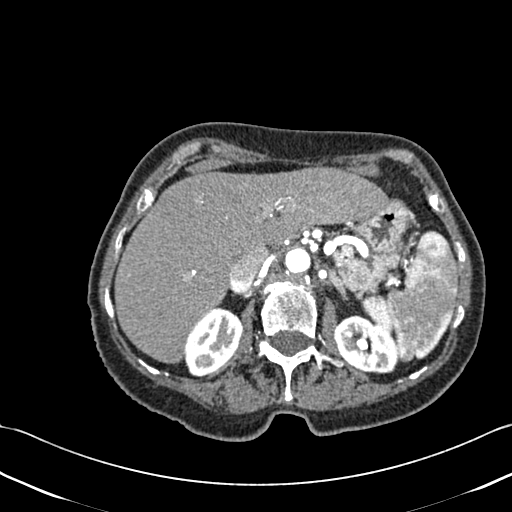
Abdominal CT with intravenous contrast, axial plane, 120 kVp, kernel B30f. Slice 311/433 from the bottom of the scan; thickness 1.00 mm; pixel size 0.672 mm.
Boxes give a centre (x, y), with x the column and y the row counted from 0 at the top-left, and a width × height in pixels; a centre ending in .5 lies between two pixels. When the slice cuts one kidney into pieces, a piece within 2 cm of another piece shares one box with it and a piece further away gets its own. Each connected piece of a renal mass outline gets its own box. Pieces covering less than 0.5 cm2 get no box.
Boxed on this slice (two kidney boxes), listed by box centre from the image's left to its right: (1) Right kidney, box centre (213.5, 341.5), 60 × 72 pixels (outlined area 2,923 px, about 13.2 cm2). (2) Left kidney, box centre (366, 344), 65 × 59 pixels (outlined area 2,796 px, about 12.6 cm2). No renal mass outline on this slice.